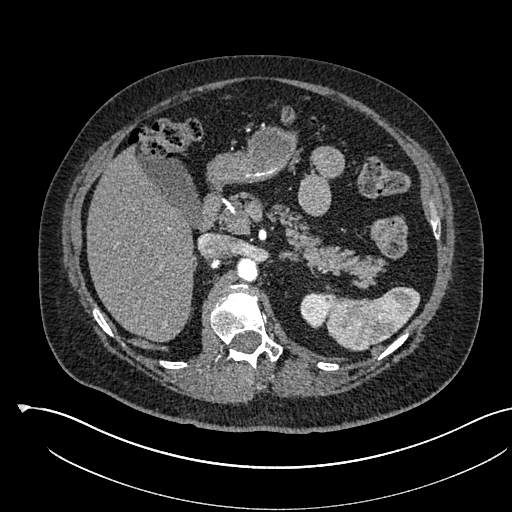
Abdominal CT with intravenous contrast, arterial phase, axial plane, 120 kVp, kernel I30f. Slice 381/541 from the bottom of the scan; thickness 1.00 mm; pixel size 0.834 mm.
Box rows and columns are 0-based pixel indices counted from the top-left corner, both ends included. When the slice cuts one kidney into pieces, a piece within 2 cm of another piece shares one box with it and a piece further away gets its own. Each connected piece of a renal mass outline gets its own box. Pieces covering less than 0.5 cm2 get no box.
Left kidney at rows 292–328, columns 300–332 (outlined area 864 px, about 6.0 cm2). No renal mass outline on this slice.